Axial slice 338 of 673 of a contrast-enhanced abdominal CT in the arterial phase (slice 1 is the lowest), 120 kVp, kernel I30f; 1.00 mm slice thickness and 0.855 mm pixels.
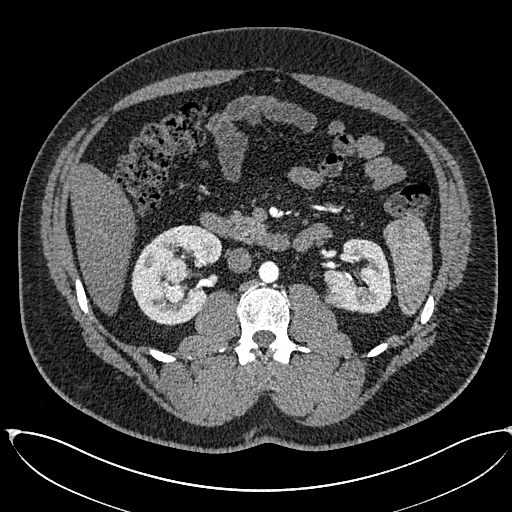
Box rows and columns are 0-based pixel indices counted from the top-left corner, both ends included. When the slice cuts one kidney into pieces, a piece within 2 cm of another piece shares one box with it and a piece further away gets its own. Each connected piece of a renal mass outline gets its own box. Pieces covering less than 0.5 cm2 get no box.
Two kidney boxes and two renal mass boxes on this slice; by box centre, from the image's left to its right: (1) Box rows 258–302, columns 162–189: right renal mass (outlined area 943 px, about 6.9 cm2). (2) Right kidney at rows 224–324, columns 131–221 (outlined area 5,556 px, about 40.7 cm2). (3) Left renal mass, box rows 286–308, columns 324–350 (outlined area 457 px, about 3.3 cm2). (4) Left kidney at rows 238–313, columns 323–391 (outlined area 3,442 px, about 25.2 cm2).